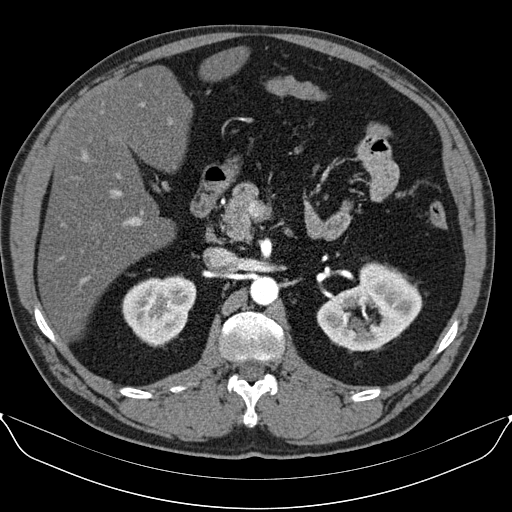
Arterial-phase contrast-enhanced abdominal CT, axial slice 63 of 96 (counted from the lowest slice); tube voltage 130 kVp, convolution kernel B30s; slices 3.00 mm thick, 0.781 mm per pixel.
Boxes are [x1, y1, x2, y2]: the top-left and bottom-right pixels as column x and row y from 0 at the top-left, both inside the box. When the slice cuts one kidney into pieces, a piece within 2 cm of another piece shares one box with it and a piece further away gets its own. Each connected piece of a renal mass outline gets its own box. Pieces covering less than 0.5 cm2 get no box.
Boxed on this slice (two kidney boxes), listed by box centre from the image's left to its right: (1) Box [121, 274, 196, 347]: right kidney (outlined area 3,960 px, about 24.2 cm2). (2) Left kidney at [316, 262, 422, 352] (outlined area 6,123 px, about 37.4 cm2). This slice carries no renal mass outline.